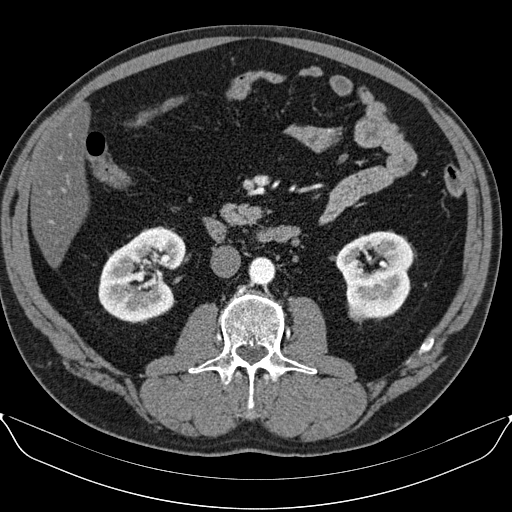
Arterial-phase contrast-enhanced abdominal CT, axial slice 42 of 96 (counted from the lowest slice); tube voltage 130 kVp, convolution kernel B30s; slices 3.00 mm thick, 0.781 mm per pixel.
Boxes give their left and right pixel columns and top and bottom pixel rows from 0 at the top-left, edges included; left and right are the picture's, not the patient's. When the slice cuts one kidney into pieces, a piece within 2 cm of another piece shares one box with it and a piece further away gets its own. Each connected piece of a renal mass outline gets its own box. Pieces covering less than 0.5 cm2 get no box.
Three boxes on this slice (two kidney boxes and one renal mass box), listed by box centre from the image's left to its right. (1) Right kidney, the box with left 98, top 226, right 186, bottom 323 (outlined area 5,955 px, about 36.3 cm2). (2) Left renal mass, the box with left 348, top 303, right 368, bottom 323 (outlined area 322 px, about 2.0 cm2). (3) Left kidney, the box with left 335, top 231, right 413, bottom 319 (outlined area 4,889 px, about 29.8 cm2).